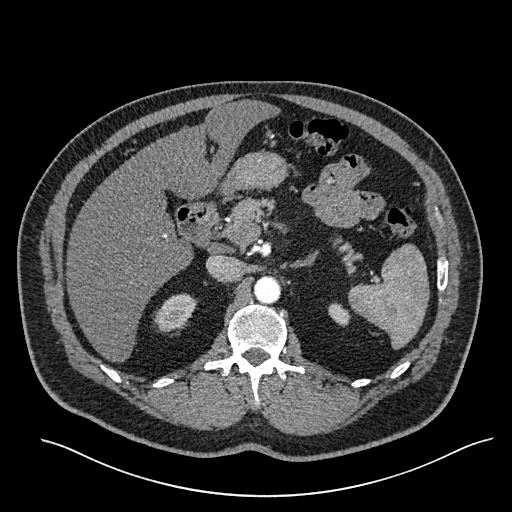
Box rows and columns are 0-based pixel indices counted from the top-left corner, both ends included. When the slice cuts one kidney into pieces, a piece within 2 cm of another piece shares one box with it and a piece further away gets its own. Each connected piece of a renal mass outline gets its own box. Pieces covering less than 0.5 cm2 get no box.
This is axial slice 398 of 527 (slice 1 is the lowest) of an arterial-phase abdominal CT with contrast; each pixel is 0.859 mm and the slice is 1.00 mm thick. Two kidney boxes on this slice; by box centre, from the image's left to its right: (1) Right kidney, box rows 293–333, columns 154–197 (outlined area 1,182 px, about 8.7 cm2). (2) Left kidney, box rows 302–326, columns 328–350 (outlined area 374 px, about 2.8 cm2). No renal mass is outlined on this slice.
Tube voltage 120 kVp; convolution kernel I30f.